Arterial-phase contrast-enhanced abdominal CT, axial slice 146 of 325 (counted from the lowest slice); tube voltage 100 kVp, convolution kernel I30f; slices 1.00 mm thick, 0.703 mm per pixel.
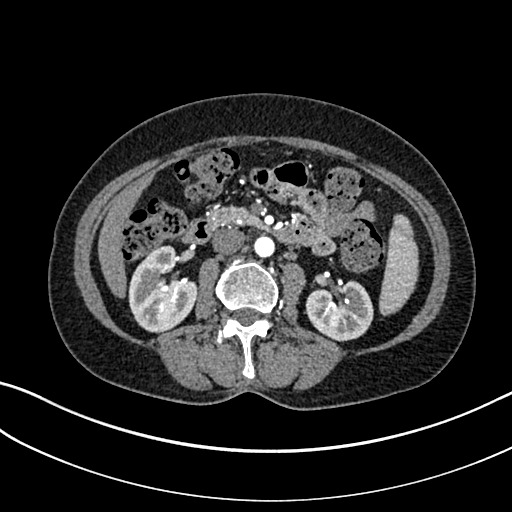
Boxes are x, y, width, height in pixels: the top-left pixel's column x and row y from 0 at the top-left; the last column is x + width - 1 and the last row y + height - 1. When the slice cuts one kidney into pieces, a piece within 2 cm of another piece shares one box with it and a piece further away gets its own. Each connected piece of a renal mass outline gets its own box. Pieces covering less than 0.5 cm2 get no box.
Boxed on this slice (two kidney boxes), listed by box centre from the image's left to its right: (1) Right kidney at x 128, y 245, width 71, height 89 (outlined area 4,249 px, about 21.0 cm2). (2) Box x 305, y 280, width 69, height 62: left kidney (outlined area 3,182 px, about 15.7 cm2). No renal mass is outlined on this slice.